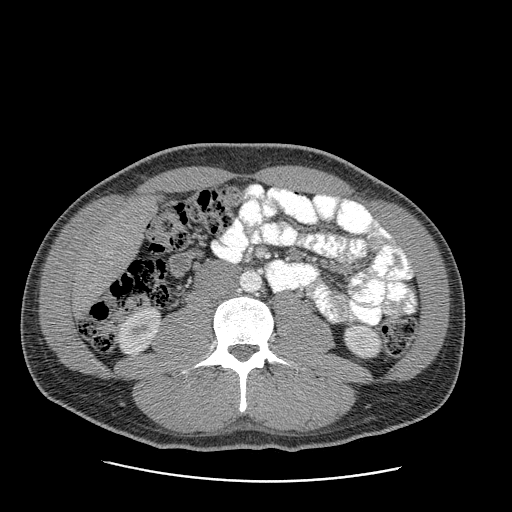
One axial slice (130 of 199, counting up from the lowest) of an arterial-phase abdominal CT acquired with 120 kVp, kernel STANDARD; each pixel is 0.789 mm and the slice is 2.50 mm thick.
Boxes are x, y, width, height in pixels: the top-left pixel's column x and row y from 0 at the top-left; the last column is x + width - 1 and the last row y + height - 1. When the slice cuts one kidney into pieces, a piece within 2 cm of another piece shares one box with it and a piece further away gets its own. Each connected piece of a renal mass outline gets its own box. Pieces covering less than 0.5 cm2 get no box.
Two boxes on this slice (two kidney boxes), listed by box centre from the image's left to its right. (1) Right kidney at x 118, y 306, width 43, height 48 (outlined area 1,482 px, about 9.2 cm2). (2) Left kidney, box x 343, y 323, width 40, height 38 (outlined area 1,135 px, about 7.1 cm2). No renal mass outline on this slice.